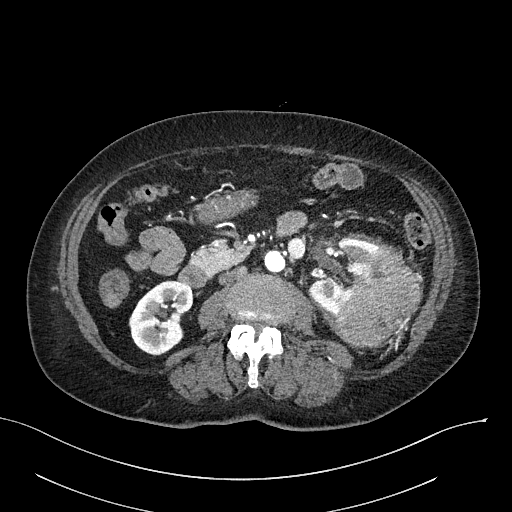
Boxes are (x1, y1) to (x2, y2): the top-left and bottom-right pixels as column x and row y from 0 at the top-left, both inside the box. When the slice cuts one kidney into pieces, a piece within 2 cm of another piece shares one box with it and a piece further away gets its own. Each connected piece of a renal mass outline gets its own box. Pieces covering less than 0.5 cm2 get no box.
Arterial-phase contrast-enhanced abdominal CT, axial slice 116 of 316 (counted from the lowest slice); 2.00 mm thick, 0.840 mm per pixel. Three boxes on this slice (two kidney boxes and one renal mass box), listed by box centre from the image's left to its right. (1) Right kidney from (128, 280) to (193, 355) (outlined area 3,458 px, about 24.4 cm2). (2) Left kidney, box (309, 238) to (379, 315) (outlined area 2,640 px, about 18.6 cm2). (3) Box (336, 244) to (421, 347): left renal mass (outlined area 5,824 px, about 41.1 cm2).
Scan settings: 100 kVp, I40f reconstruction kernel.